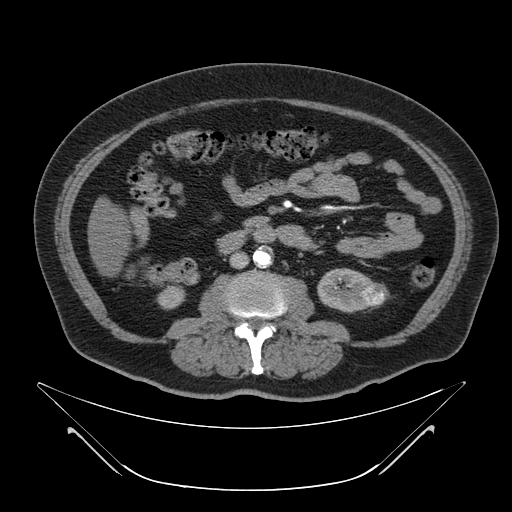
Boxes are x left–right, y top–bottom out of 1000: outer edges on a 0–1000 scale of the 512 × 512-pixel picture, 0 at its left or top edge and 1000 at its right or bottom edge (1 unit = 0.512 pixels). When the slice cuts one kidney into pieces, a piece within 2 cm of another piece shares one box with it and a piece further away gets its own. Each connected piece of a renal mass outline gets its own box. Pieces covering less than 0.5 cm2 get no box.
Slice 19/64 of a contrast-enhanced abdominal CT, counting up from the lowest; pixel size 0.977 mm, slice thickness 4.00 mm. Boxed on this slice (two kidney boxes and one renal mass box), listed by box centre from the image's left to its right: (1) Box x 305–363, y 555–605 out of 1000: right kidney (outlined area 555 px, about 5.3 cm2). (2) Box x 619–734, y 523–613 out of 1000: left kidney (outlined area 1,841 px, about 17.6 cm2). (3) Box x 707–762, y 551–602 out of 1000: left renal mass (outlined area 519 px, about 4.9 cm2).
Scan settings: 120 kVp, B reconstruction kernel.